One axial slice (249 of 325, counting up from the lowest) of an arterial-phase abdominal CT acquired with 100 kVp, kernel I30f; each pixel is 0.703 mm and the slice is 1.00 mm thick.
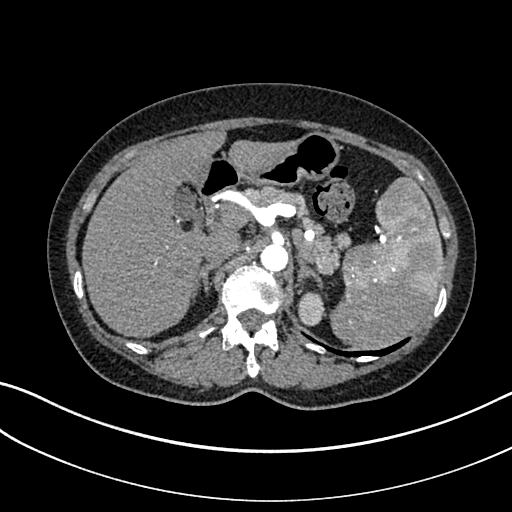
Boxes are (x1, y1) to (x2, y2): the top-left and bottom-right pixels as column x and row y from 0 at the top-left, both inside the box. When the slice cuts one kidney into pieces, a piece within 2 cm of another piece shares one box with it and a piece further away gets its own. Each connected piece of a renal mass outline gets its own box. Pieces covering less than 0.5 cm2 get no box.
Box (297, 292) to (325, 326): left kidney (outlined area 766 px, about 3.8 cm2).